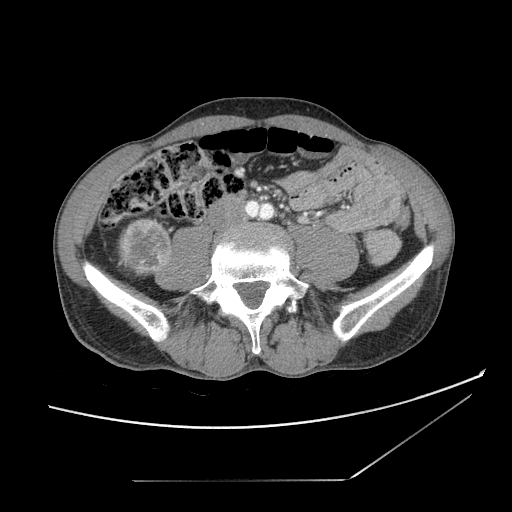
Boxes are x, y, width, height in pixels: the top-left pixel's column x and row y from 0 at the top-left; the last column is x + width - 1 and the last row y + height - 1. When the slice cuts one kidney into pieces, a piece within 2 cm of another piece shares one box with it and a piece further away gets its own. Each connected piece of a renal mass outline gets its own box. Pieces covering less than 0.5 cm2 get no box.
Contrast-enhanced abdominal CT, axial slice 32 of 121 (counted from the lowest slice); 2.50 mm thick, 0.742 mm per pixel. Right renal mass, box x 117, y 218, width 57, height 58 (outlined area 2,600 px, about 14.3 cm2); no kidney outline appears on this slice, but the same outlined renal mass comes within 1 cm of the kidney on another slice.
Acquired at 120 kVp and reconstructed with the STANDARD kernel.